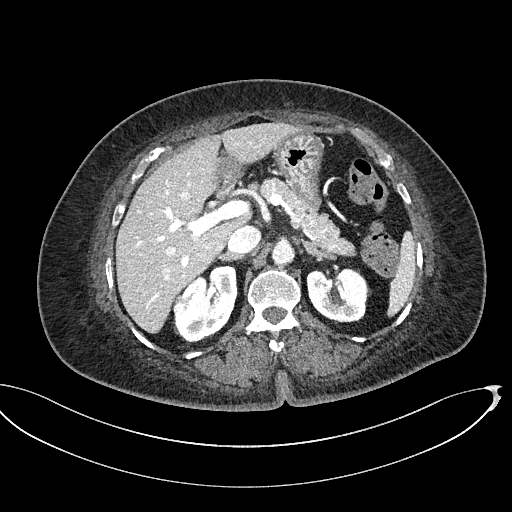
Contrast-enhanced abdominal CT, axial slice 333 of 439 (counted from the lowest slice); tube voltage 100 kVp, convolution kernel I40f; slices 2.00 mm thick, 0.850 mm per pixel.
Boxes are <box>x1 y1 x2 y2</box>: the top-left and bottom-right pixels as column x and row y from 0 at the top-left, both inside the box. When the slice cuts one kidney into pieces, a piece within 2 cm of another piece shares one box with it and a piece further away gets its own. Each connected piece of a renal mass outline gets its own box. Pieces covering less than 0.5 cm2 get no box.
Two boxes on this slice (two kidney boxes), listed by box centre from the image's left to its right. (1) Right kidney: <box>172 265 237 343</box> (outlined area 3,559 px, about 25.7 cm2). (2) At <box>306 267 370 323</box>: left kidney (outlined area 2,835 px, about 20.5 cm2). No renal mass is outlined on this slice.